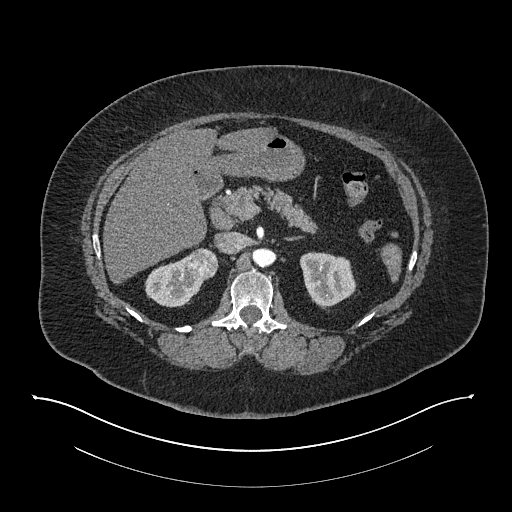
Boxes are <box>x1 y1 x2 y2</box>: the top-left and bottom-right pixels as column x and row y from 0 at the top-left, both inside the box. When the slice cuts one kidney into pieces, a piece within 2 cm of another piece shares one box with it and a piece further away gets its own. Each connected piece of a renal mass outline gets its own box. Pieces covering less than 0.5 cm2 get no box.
This is axial slice 527 of 673 (slice 1 is the lowest) of an arterial-phase abdominal CT with contrast; each pixel is 0.957 mm and the slice is 1.00 mm thick. Three boxes on this slice (two kidney boxes and one renal mass box), listed by box centre from the image's left to its right. (1) At <box>145 255 205 307</box>: right kidney (outlined area 1,966 px, about 18.0 cm2). (2) Right renal mass: <box>187 248 218 279</box> (outlined area 794 px, about 7.3 cm2). (3) Left kidney at <box>300 251 356 309</box> (outlined area 2,402 px, about 22.0 cm2).
Tube voltage 140 kVp; convolution kernel I30f.